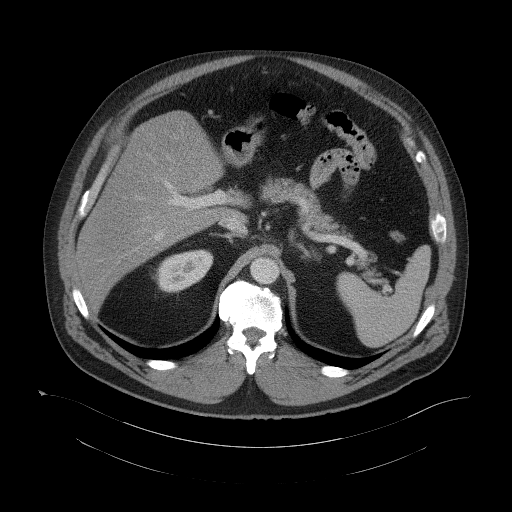
One axial slice (79 of 104, counting up from the lowest) of a contrast-enhanced abdominal CT acquired with 120 kVp, kernel B41f; each pixel is 0.977 mm and the slice is 5.00 mm thick.
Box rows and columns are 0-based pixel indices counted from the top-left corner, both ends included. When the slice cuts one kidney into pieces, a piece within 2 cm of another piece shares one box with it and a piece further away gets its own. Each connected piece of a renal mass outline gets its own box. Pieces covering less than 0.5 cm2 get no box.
Right kidney, box rows 249–292, columns 155–213 (outlined area 1,821 px, about 17.4 cm2). No renal mass outline on this slice.